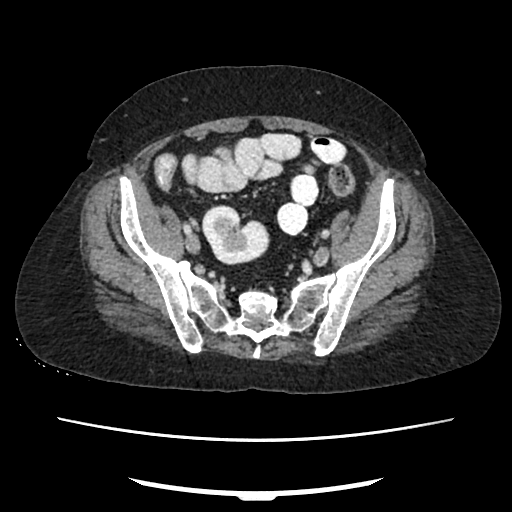
Abdominal CT with intravenous contrast, arterial phase, axial plane, 120 kVp, kernel FC18. Slice 66/207 from the bottom of the scan; thickness 2.00 mm; pixel size 0.741 mm.
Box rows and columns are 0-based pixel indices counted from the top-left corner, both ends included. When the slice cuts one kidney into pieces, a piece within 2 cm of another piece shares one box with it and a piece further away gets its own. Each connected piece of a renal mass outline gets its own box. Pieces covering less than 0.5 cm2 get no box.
Right kidney at rows 205–264, columns 202–269 (outlined area 2,946 px, about 16.2 cm2). No renal mass is outlined on this slice.